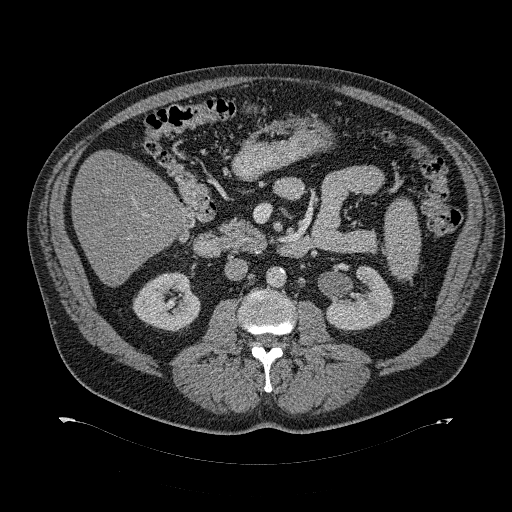
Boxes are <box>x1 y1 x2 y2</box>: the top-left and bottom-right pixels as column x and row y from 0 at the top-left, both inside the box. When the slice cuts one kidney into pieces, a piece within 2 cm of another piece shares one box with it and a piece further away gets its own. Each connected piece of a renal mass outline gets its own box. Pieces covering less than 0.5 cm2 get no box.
Contrast-enhanced abdominal CT, axial slice 177 of 274 (counted from the lowest slice); 2.00 mm thick, 0.977 mm per pixel. Boxed on this slice (two kidney boxes), listed by box centre from the image's left to its right: (1) At <box>132 271 200 331</box>: right kidney (outlined area 3,004 px, about 28.6 cm2). (2) Left kidney at <box>326 265 393 331</box> (outlined area 2,936 px, about 28.0 cm2). No renal mass outline on this slice.
Scan settings: 120 kVp, B31f reconstruction kernel.